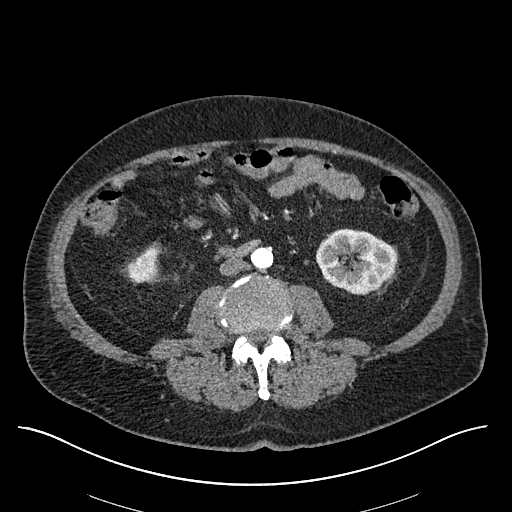
Arterial-phase contrast-enhanced abdominal CT, axial slice 252 of 670 (counted from the lowest slice); tube voltage 120 kVp, convolution kernel I30f; slices 1.00 mm thick, 0.861 mm per pixel.
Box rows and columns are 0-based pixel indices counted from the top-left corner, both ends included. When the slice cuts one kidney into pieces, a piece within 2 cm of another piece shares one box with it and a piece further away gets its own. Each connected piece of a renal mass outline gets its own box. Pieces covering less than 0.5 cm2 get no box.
Two kidney boxes on this slice; by box centre, from the image's left to its right: (1) Box rows 246–282, columns 126–159: right kidney (outlined area 894 px, about 6.6 cm2). (2) Box rows 228–294, columns 315–397: left kidney (outlined area 4,049 px, about 30.0 cm2). No renal mass outline on this slice.